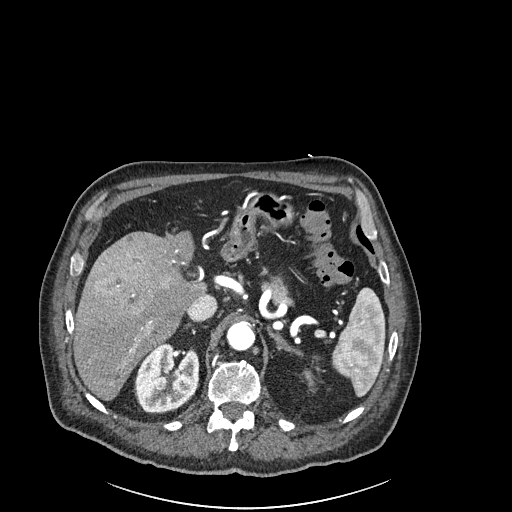
Abdominal CT with intravenous contrast, arterial phase, axial plane, 120 kVp, kernel I30f. Slice 167/261 from the bottom of the scan; thickness 2.00 mm; pixel size 0.939 mm.
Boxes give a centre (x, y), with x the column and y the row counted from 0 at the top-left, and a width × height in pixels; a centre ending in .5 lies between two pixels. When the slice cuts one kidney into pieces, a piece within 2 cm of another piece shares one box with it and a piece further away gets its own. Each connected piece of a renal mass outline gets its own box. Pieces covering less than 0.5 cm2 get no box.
Boxed on this slice (two kidney boxes), listed by box centre from the image's left to its right: (1) Right kidney in a box with centre (166.5, 378), 66 × 73 pixels (outlined area 3,632 px, about 32.1 cm2). (2) Left kidney in a box with centre (308, 376), 9 × 13 pixels (outlined area 86 px, about 0.8 cm2). No renal mass outline on this slice.